Abdominal CT with intravenous contrast, arterial phase, axial plane, 130 kVp, kernel B30s. Slice 111/164 from the bottom of the scan; thickness 3.00 mm; pixel size 0.664 mm.
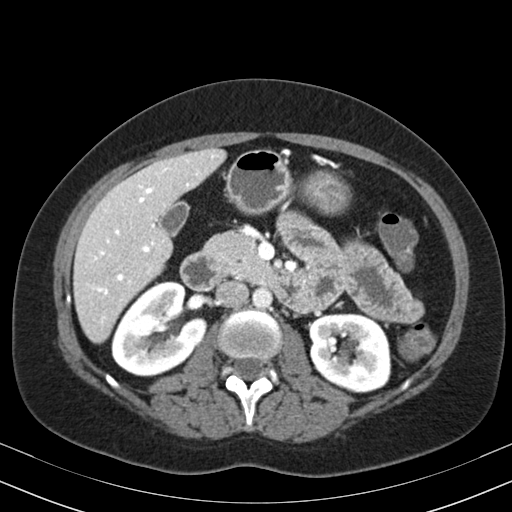
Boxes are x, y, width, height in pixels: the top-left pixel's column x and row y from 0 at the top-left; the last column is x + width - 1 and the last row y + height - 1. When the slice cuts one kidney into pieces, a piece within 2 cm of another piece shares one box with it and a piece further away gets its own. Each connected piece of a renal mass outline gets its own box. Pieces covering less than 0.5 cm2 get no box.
Two kidney boxes on this slice; by box centre, from the image's left to its right: (1) Right kidney at x 111, y 281, width 97, height 96 (outlined area 6,428 px, about 28.3 cm2). (2) Left kidney, box x 309, y 313, width 83, height 80 (outlined area 5,316 px, about 23.4 cm2). No renal mass is outlined on this slice.